Arterial-phase contrast-enhanced abdominal CT, axial slice 97 of 274 (counted from the lowest slice); tube voltage 120 kVp, convolution kernel B30f; slices 2.00 mm thick, 0.809 mm per pixel.
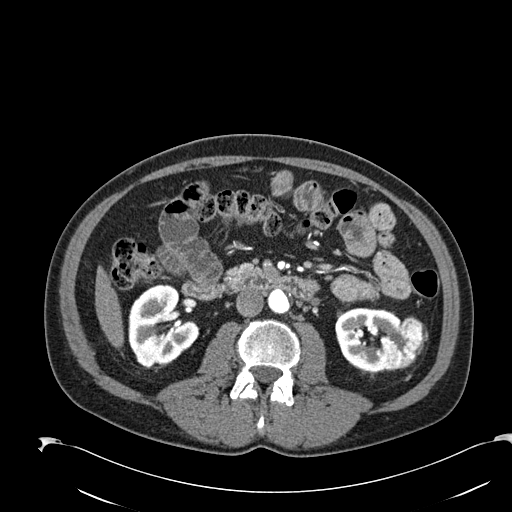
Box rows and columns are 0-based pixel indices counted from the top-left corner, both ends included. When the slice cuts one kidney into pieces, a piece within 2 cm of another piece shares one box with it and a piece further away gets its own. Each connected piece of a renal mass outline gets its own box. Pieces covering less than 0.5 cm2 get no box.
Three boxes on this slice (two kidney boxes and one renal mass box), listed by box centre from the image's left to its right. (1) Box rows 285–368, columns 128–196: right kidney (outlined area 4,102 px, about 26.8 cm2). (2) Left kidney at rows 308–371, columns 335–401 (outlined area 2,762 px, about 18.1 cm2). (3) Box rows 316–370, columns 377–427: left renal mass (outlined area 1,814 px, about 11.9 cm2).